Axial slice 133 of 178 of a contrast-enhanced abdominal CT (slice 1 is the lowest), 100 kVp, kernel I30f; 5.00 mm slice thickness and 0.650 mm pixels.
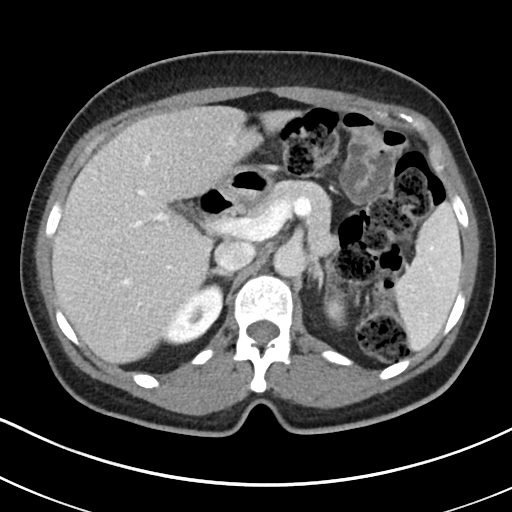
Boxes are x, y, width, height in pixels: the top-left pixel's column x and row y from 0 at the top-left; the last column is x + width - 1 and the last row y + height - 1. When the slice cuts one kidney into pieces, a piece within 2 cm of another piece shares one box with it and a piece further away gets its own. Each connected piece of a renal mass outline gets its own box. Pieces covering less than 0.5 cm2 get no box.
Two kidney boxes on this slice; by box centre, from the image's left to its right: (1) Box x 162, y 284, width 62, height 62: right kidney (outlined area 2,380 px, about 10.1 cm2). (2) Left kidney, box x 326, y 295, width 21, height 28 (outlined area 433 px, about 1.8 cm2). No renal mass outline on this slice.